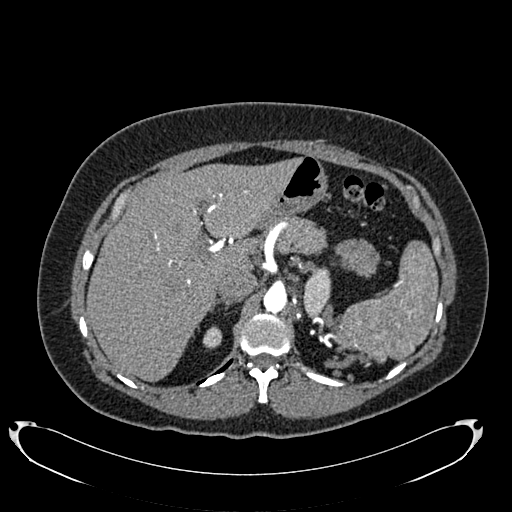
Axial slice 538 of 634 of a contrast-enhanced abdominal CT in the arterial phase (slice 1 is the lowest), 120 kVp, kernel B20f; 1.00 mm slice thickness and 0.838 mm pixels.
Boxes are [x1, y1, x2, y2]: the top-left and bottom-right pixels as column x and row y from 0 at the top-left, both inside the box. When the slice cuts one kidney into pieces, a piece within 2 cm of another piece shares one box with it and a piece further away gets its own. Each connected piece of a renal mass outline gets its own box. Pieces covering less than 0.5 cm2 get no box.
Two kidney boxes on this slice; by box centre, from the image's left to its right: (1) Right kidney, box [202, 326, 222, 348] (outlined area 339 px, about 2.4 cm2). (2) Left kidney at [303, 268, 331, 320] (outlined area 1,050 px, about 7.4 cm2). No renal mass is outlined on this slice.